Axial slice 219 of 541 of a contrast-enhanced abdominal CT in the arterial phase (slice 1 is the lowest), 120 kVp, kernel I30f; 1.00 mm slice thickness and 0.834 mm pixels.
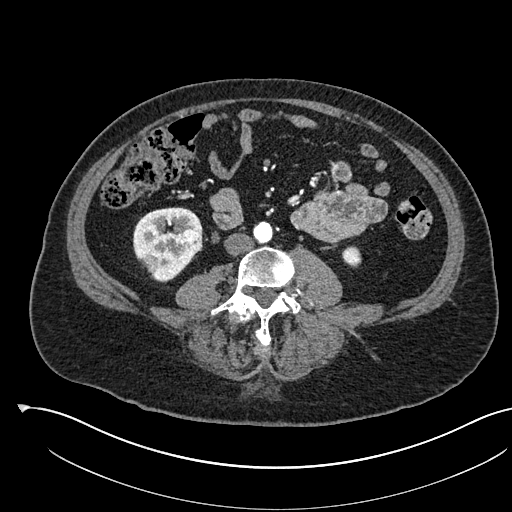
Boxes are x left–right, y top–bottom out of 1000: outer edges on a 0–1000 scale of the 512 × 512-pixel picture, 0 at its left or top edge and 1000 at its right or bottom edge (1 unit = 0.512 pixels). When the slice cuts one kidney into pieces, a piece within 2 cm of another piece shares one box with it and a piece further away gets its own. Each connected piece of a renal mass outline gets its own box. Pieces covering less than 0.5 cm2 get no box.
Three boxes on this slice (two kidney boxes and one renal mass box), listed by box centre from the image's left to its right. (1) Right kidney, box x 258–396, y 404–553 out of 1000 (outlined area 3,605 px, about 25.1 cm2). (2) Right renal mass, box x 352–396, y 447–490 out of 1000 (outlined area 394 px, about 2.7 cm2). (3) Left kidney, box x 668–707, y 480–523 out of 1000 (outlined area 335 px, about 2.3 cm2).